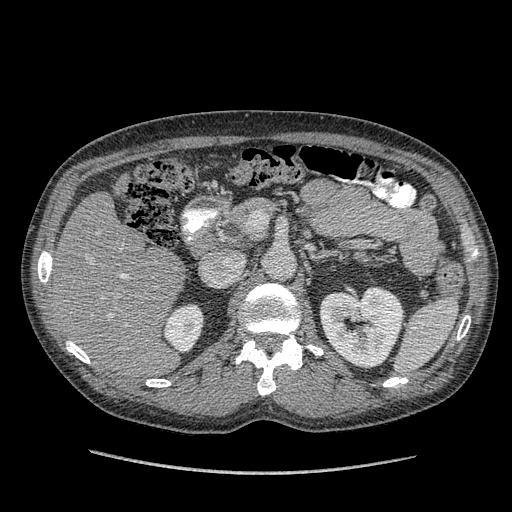
Axial slice 236 of 349 of a contrast-enhanced abdominal CT in the arterial phase (slice 1 is the lowest), 120 kVp, kernel STANDARD; 1.25 mm slice thickness and 0.742 mm pixels.
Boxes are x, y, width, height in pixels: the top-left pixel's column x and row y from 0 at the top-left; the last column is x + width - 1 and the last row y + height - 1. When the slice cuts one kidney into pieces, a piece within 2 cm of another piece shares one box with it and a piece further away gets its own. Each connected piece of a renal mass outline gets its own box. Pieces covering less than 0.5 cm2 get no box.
Two boxes on this slice (two kidney boxes), listed by box centre from the image's left to its right. (1) Right kidney at x 163, y 303, width 42, height 51 (outlined area 1,538 px, about 8.5 cm2). (2) Left kidney at x 319, y 284, width 85, height 86 (outlined area 5,342 px, about 29.4 cm2). No renal mass is outlined on this slice.